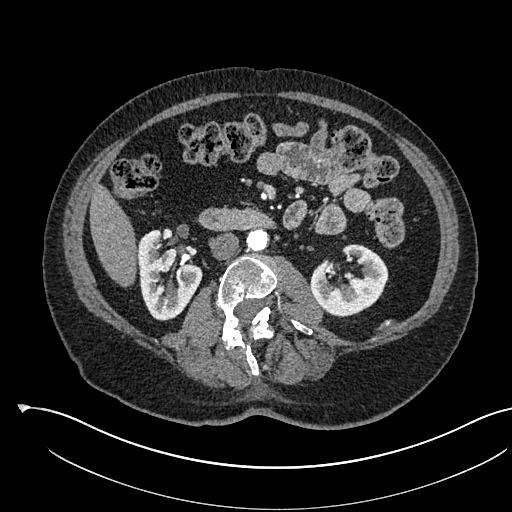
Axial slice 289 of 541 of a contrast-enhanced abdominal CT in the arterial phase (slice 1 is the lowest), 120 kVp, kernel I30f; 1.00 mm slice thickness and 0.834 mm pixels.
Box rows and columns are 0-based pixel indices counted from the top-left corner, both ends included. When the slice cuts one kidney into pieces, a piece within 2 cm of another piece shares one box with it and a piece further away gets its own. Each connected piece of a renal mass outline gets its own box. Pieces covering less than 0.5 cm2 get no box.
Two kidney boxes on this slice; by box centre, from the image's left to its right: (1) Right kidney at rows 229–320, columns 138–201 (outlined area 3,979 px, about 27.7 cm2). (2) Box rows 244–317, columns 310–388: left kidney (outlined area 3,763 px, about 26.2 cm2). No renal mass is outlined on this slice.